Abdominal CT with intravenous contrast, arterial phase, axial plane, 120 kVp, kernel B31f. Slice 64/285 from the bottom of the scan; thickness 2.00 mm; pixel size 0.762 mm.
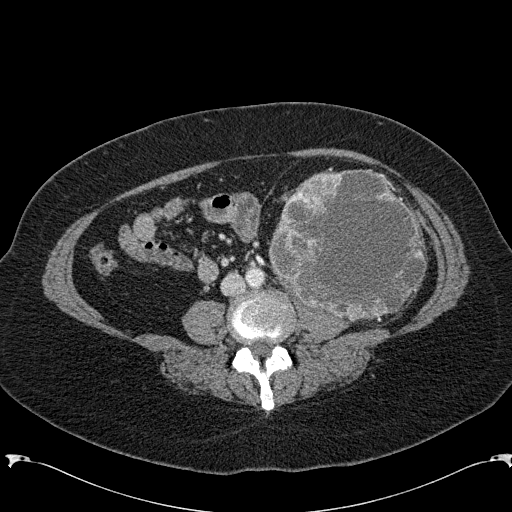
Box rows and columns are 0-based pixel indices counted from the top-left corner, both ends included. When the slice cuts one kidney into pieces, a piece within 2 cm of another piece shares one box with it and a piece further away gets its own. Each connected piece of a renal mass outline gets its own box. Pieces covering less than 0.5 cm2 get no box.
Left renal mass at rows 169–320, columns 268–427 (outlined area 18,494 px, about 107.3 cm2); this slice has no kidney outline, though on another slice the same outlined renal mass lies within 1 cm of the kidney.